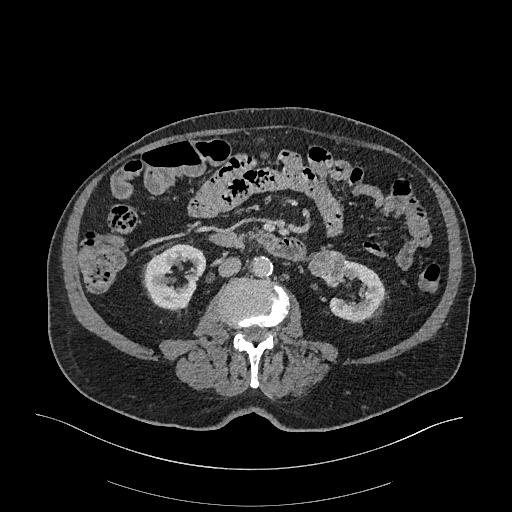
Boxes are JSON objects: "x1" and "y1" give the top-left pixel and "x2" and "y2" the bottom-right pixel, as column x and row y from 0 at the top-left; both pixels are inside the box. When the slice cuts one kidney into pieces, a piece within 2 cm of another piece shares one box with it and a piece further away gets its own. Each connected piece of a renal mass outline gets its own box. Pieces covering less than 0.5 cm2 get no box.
This is axial slice 120 of 470 (slice 1 is the lowest) of an arterial-phase abdominal CT with contrast; each pixel is 0.938 mm and the slice is 1.00 mm thick. Boxed on this slice (two kidney boxes and one renal mass box), listed by box centre from the image's left to its right: (1) Right kidney, box {"x1": 142, "y1": 244, "x2": 205, "y2": 311} (outlined area 2,942 px, about 25.9 cm2). (2) Left renal mass, box {"x1": 307, "y1": 249, "x2": 344, "y2": 286} (outlined area 1,013 px, about 8.9 cm2). (3) Box {"x1": 328, "y1": 256, "x2": 384, "y2": 322}: left kidney (outlined area 2,105 px, about 18.5 cm2).
Acquired at 120 kVp and reconstructed with the I26f kernel.